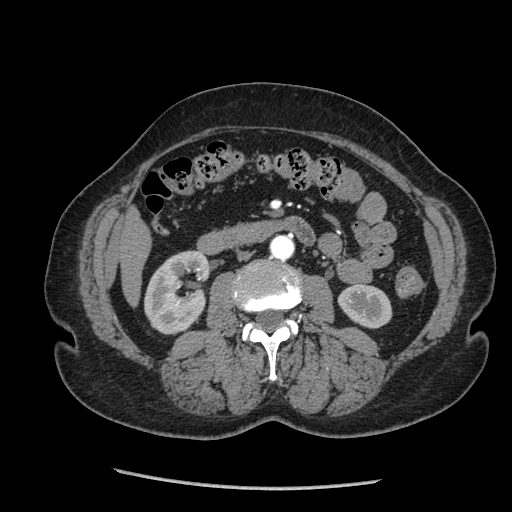
Abdominal CT with intravenous contrast, arterial phase, axial plane, 120 kVp, kernel STANDARD. Slice 106/233 from the bottom of the scan; thickness 1.25 mm; pixel size 0.703 mm.
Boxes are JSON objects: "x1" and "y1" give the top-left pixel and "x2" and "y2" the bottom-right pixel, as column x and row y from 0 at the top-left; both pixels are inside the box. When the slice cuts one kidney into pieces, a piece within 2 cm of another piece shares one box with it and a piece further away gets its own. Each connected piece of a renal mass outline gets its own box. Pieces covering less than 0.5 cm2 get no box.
Two boxes on this slice (two kidney boxes), listed by box centre from the image's left to its right. (1) Right kidney at {"x1": 144, "y1": 250, "x2": 210, "y2": 334} (outlined area 4,120 px, about 20.4 cm2). (2) Left kidney at {"x1": 337, "y1": 283, "x2": 392, "y2": 328} (outlined area 1,872 px, about 9.3 cm2). No renal mass is outlined on this slice.